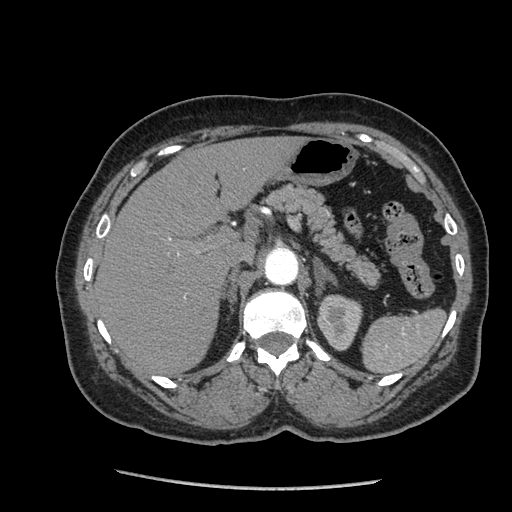
Arterial-phase contrast-enhanced abdominal CT, axial slice 160 of 233 (counted from the lowest slice); tube voltage 120 kVp, convolution kernel STANDARD; slices 1.25 mm thick, 0.703 mm per pixel.
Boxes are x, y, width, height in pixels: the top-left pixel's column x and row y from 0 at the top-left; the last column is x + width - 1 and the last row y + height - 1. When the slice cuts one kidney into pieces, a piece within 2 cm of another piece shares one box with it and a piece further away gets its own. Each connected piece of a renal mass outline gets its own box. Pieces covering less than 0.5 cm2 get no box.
Box x 316, y 294, width 47, height 58: left kidney (outlined area 1,964 px, about 9.7 cm2). This slice carries no renal mass outline.